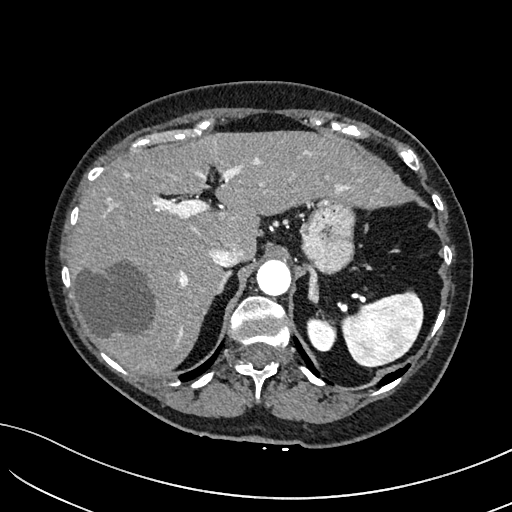
Abdominal CT with intravenous contrast, arterial phase, axial plane, 100 kVp, kernel I40f. Slice 133/234 from the bottom of the scan; thickness 2.00 mm; pixel size 0.699 mm.
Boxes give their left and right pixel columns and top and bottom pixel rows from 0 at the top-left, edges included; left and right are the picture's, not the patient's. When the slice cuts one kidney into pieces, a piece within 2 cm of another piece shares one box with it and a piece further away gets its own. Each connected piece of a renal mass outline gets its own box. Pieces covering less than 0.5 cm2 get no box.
Left kidney, the box with left 306, top 316, right 333, bottom 351 (outlined area 767 px, about 3.7 cm2). No renal mass is outlined on this slice.